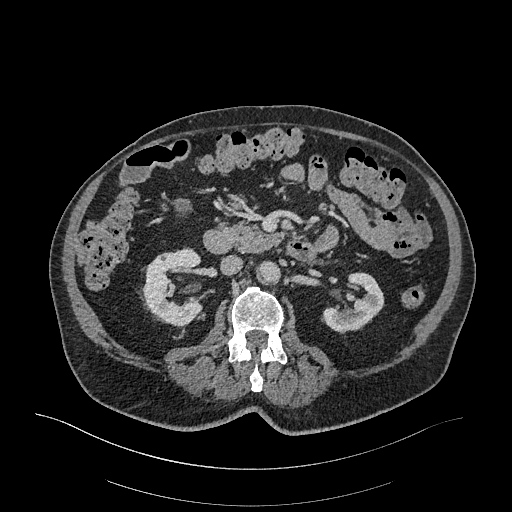
Arterial-phase contrast-enhanced abdominal CT, axial slice 159 of 470 (counted from the lowest slice); tube voltage 120 kVp, convolution kernel I26f; slices 1.00 mm thick, 0.938 mm per pixel.
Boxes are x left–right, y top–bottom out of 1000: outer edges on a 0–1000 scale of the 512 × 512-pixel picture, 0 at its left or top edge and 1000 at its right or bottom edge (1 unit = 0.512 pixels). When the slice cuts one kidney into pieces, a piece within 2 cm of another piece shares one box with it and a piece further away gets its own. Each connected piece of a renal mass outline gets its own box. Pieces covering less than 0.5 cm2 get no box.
Boxed on this slice (two kidney boxes), listed by box centre from the image's left to its right: (1) Box x 275–398, y 482–641 out of 1000: right kidney (outlined area 3,334 px, about 29.3 cm2). (2) Left kidney, box x 631–752, y 533–652 out of 1000 (outlined area 2,300 px, about 20.2 cm2). This slice carries no renal mass outline.